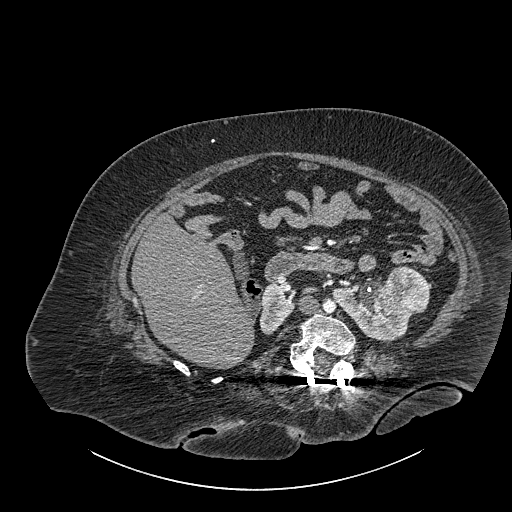
Abdominal CT with intravenous contrast, axial plane, 140 kVp, kernel I30f. Slice 527/834 from the bottom of the scan; thickness 1.00 mm; pixel size 0.977 mm.
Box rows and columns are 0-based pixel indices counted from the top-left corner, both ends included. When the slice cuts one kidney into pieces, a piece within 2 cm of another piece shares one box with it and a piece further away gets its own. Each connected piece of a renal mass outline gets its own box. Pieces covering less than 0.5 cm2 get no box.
Boxed on this slice (two kidney boxes and one renal mass box), listed by box centre from the image's left to its right: (1) Box rows 283–334, columns 259–318: right part of the midline-crossing kidney (outlined area 1,273 px, about 12.1 cm2). (2) Left part of the midline-crossing kidney, box rows 284–341, columns 332–411 (outlined area 2,758 px, about 26.3 cm2). (3) Renal mass, box rows 266–314, columns 385–429 (outlined area 1,666 px, about 15.9 cm2).